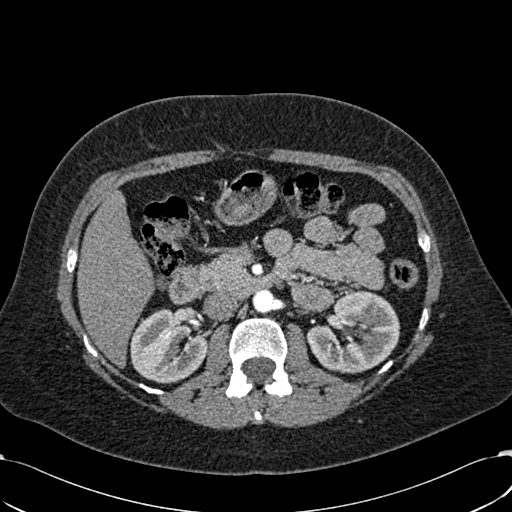
Arterial-phase contrast-enhanced abdominal CT, axial slice 375 of 532 (counted from the lowest slice); tube voltage 120 kVp, convolution kernel B30f; slices 1.00 mm thick, 0.713 mm per pixel.
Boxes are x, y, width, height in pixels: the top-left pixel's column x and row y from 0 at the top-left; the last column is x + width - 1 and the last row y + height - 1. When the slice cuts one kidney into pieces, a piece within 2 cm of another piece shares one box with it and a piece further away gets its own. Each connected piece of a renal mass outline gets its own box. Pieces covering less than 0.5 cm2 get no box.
Boxed on this slice (two kidney boxes), listed by box centre from the image's left to its right: (1) Right kidney at x 130, y 308, width 78, height 76 (outlined area 4,248 px, about 21.6 cm2). (2) Box x 306, y 290, width 94, height 84: left kidney (outlined area 5,470 px, about 27.8 cm2). No renal mass is outlined on this slice.